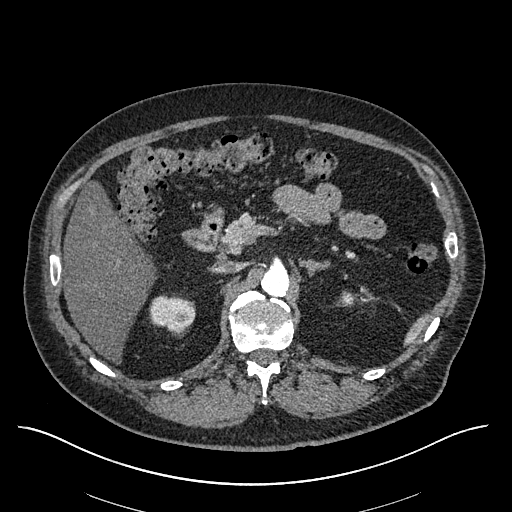
Arterial-phase contrast-enhanced abdominal CT, axial slice 396 of 670 (counted from the lowest slice); tube voltage 120 kVp, convolution kernel I30f; slices 1.00 mm thick, 0.861 mm per pixel.
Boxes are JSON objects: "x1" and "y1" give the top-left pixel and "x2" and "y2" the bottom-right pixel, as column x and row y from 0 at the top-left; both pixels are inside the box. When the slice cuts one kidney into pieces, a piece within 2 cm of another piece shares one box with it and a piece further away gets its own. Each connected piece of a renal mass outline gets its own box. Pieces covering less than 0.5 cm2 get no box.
Two kidney boxes on this slice; by box centre, from the image's left to its right: (1) Right kidney, box {"x1": 149, "y1": 294, "x2": 194, "y2": 332} (outlined area 1,317 px, about 9.8 cm2). (2) Left kidney at {"x1": 342, "y1": 292, "x2": 351, "y2": 303} (outlined area 98 px, about 0.7 cm2). No renal mass is outlined on this slice.